Axial slice 359 of 734 of a contrast-enhanced abdominal CT (slice 1 is the lowest), 120 kVp, kernel B31f; 2.00 mm slice thickness and 0.971 mm pixels.
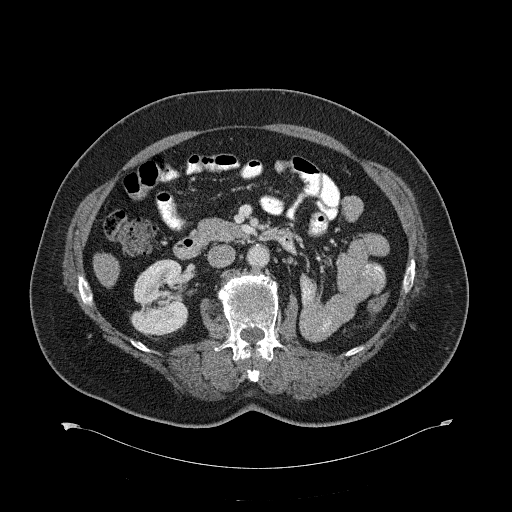
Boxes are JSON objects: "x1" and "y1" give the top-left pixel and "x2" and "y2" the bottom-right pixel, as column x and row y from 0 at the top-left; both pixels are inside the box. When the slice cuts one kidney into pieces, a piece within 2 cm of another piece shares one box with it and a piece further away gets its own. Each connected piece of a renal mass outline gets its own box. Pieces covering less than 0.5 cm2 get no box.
Right kidney at {"x1": 130, "y1": 259, "x2": 188, "y2": 337} (outlined area 3,382 px, about 31.9 cm2). No renal mass outline on this slice.